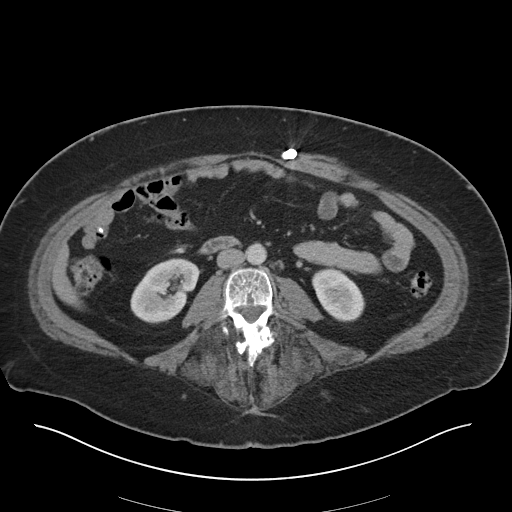
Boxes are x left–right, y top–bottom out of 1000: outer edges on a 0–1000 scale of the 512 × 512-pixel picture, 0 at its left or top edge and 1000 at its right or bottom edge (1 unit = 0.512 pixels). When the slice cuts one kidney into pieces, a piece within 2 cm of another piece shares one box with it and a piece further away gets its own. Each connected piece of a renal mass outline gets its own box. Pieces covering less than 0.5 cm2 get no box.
Arterial-phase contrast-enhanced abdominal CT, axial slice 8 of 36 (counted from the lowest slice); 5.00 mm thick, 0.906 mm per pixel. Boxed on this slice (two kidney boxes), listed by box centre from the image's left to its right: (1) Right kidney at x 254–393, y 504–633 out of 1000 (outlined area 3,193 px, about 26.2 cm2). (2) Left kidney, box x 609–715, y 521–629 out of 1000 (outlined area 2,055 px, about 16.9 cm2). This slice carries no renal mass outline.
Tube voltage 140 kVp; convolution kernel I30f.